One axial slice (278 of 445, counting up from the lowest) of an arterial-phase abdominal CT acquired with 120 kVp, kernel STANDARD; each pixel is 0.863 mm and the slice is 1.25 mm thick.
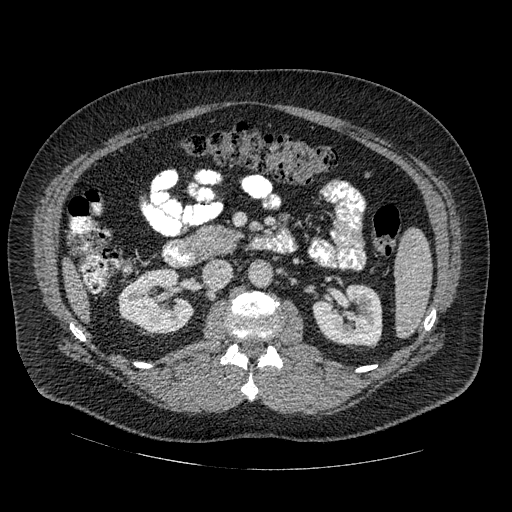
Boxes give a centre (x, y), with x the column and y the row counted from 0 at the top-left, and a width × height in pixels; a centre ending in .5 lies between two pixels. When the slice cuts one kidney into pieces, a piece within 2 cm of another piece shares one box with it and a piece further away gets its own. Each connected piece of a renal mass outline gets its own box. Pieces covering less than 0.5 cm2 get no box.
Two boxes on this slice (two kidney boxes), listed by box centre from the image's left to its right. (1) Right kidney, box centre (156, 300.5), 77 × 66 pixels (outlined area 3,601 px, about 26.8 cm2). (2) Left kidney in a box with centre (347, 315.5), 71 × 66 pixels (outlined area 3,476 px, about 25.9 cm2). No renal mass outline on this slice.